Contrast-enhanced abdominal CT, axial slice 183 of 314 (counted from the lowest slice); tube voltage 130 kVp, convolution kernel B31s; slices 2.50 mm thick, 0.934 mm per pixel.
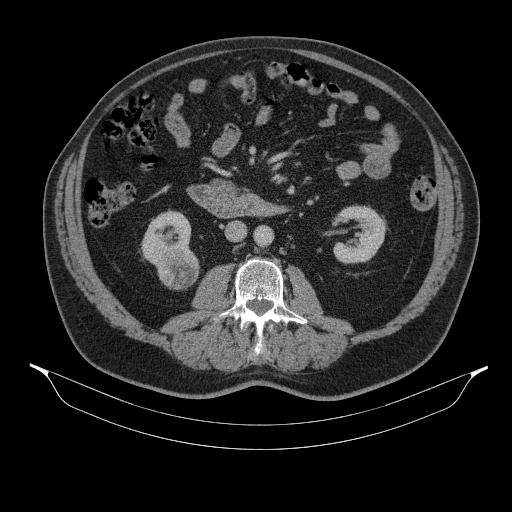
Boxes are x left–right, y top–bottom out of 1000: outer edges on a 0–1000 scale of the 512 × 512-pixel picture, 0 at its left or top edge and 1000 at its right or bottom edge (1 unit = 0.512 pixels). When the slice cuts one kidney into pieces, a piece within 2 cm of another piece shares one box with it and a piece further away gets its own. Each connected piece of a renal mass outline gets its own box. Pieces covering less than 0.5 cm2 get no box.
Three boxes on this slice (two kidney boxes and one renal mass box), listed by box centre from the image's left to its right. (1) Right kidney at x 271–375, y 410–521 out of 1000 (outlined area 1,715 px, about 14.9 cm2). (2) Right renal mass, box x 305–391, y 477–568 out of 1000 (outlined area 1,579 px, about 13.8 cm2). (3) Left kidney, box x 650–754, y 400–518 out of 1000 (outlined area 2,266 px, about 19.8 cm2).